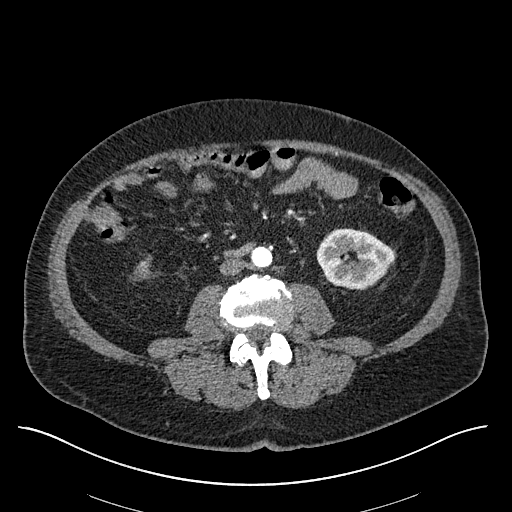
Arterial-phase contrast-enhanced abdominal CT, axial slice 244 of 670 (counted from the lowest slice); tube voltage 120 kVp, convolution kernel I30f; slices 1.00 mm thick, 0.861 mm per pixel.
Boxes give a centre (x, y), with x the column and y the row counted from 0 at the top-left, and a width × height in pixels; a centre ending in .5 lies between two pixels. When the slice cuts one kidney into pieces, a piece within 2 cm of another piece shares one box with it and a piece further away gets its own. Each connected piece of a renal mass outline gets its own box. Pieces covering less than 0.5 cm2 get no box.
Two boxes on this slice (two kidney boxes), listed by box centre from the image's left to its right. (1) Right kidney, box centre (142.5, 269), 18 × 19 pixels (outlined area 234 px, about 1.7 cm2). (2) Left kidney in a box with centre (355, 258.5), 79 × 62 pixels (outlined area 3,559 px, about 26.4 cm2). This slice carries no renal mass outline.